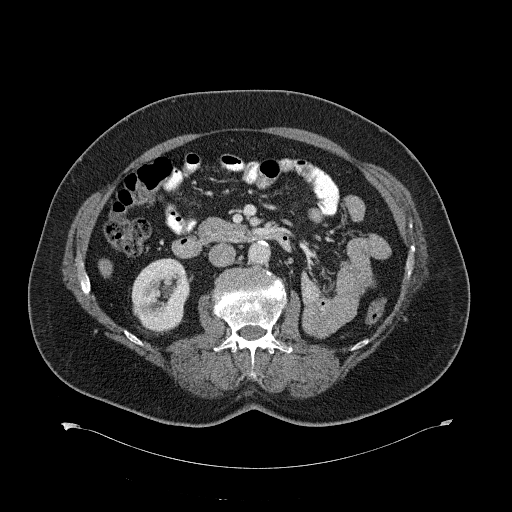
Contrast-enhanced abdominal CT, axial slice 352 of 734 (counted from the lowest slice); tube voltage 120 kVp, convolution kernel B31f; slices 2.00 mm thick, 0.971 mm per pixel.
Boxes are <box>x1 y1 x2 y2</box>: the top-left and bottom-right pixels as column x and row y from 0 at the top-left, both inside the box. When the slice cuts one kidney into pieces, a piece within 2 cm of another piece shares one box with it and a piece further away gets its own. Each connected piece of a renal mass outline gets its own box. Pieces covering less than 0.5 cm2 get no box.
At <box>131 258 192 330</box>: right kidney (outlined area 3,381 px, about 31.9 cm2). This slice carries no renal mass outline.